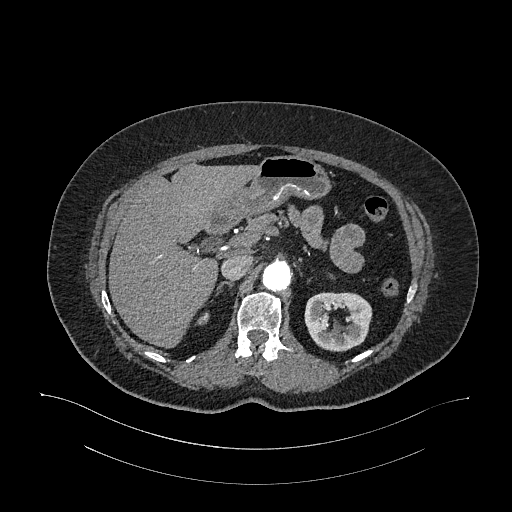
One axial slice (736 of 987, counting up from the lowest) of an arterial-phase abdominal CT acquired with 120 kVp, kernel I26f; each pixel is 0.977 mm and the slice is 1.00 mm thick.
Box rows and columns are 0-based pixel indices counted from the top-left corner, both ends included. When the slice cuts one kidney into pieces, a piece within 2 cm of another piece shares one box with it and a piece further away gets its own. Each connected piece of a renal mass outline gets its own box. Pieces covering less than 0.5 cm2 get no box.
Two kidney boxes on this slice; by box centre, from the image's left to its right: (1) Right kidney, box rows 312–324, columns 196–208 (outlined area 108 px, about 1.0 cm2). (2) Box rows 292–351, columns 304–372: left kidney (outlined area 3,119 px, about 29.7 cm2). This slice carries no renal mass outline.